One axial slice (363 of 673, counting up from the lowest) of an arterial-phase abdominal CT acquired with 140 kVp, kernel I30f; each pixel is 0.957 mm and the slice is 1.00 mm thick.
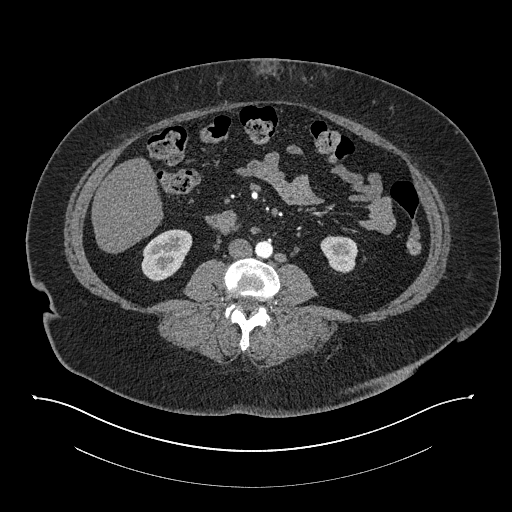
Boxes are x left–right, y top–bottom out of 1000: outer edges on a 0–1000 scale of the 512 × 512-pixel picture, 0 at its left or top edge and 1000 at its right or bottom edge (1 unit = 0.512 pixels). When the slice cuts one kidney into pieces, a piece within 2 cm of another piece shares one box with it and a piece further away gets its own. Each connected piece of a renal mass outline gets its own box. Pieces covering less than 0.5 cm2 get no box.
Boxed on this slice (two kidney boxes), listed by box centre from the image's left to its right: (1) Right kidney, box x 275–377, y 447–551 out of 1000 (outlined area 1,920 px, about 17.6 cm2). (2) Left kidney at x 625–701, y 459–535 out of 1000 (outlined area 1,084 px, about 9.9 cm2). This slice carries no renal mass outline.